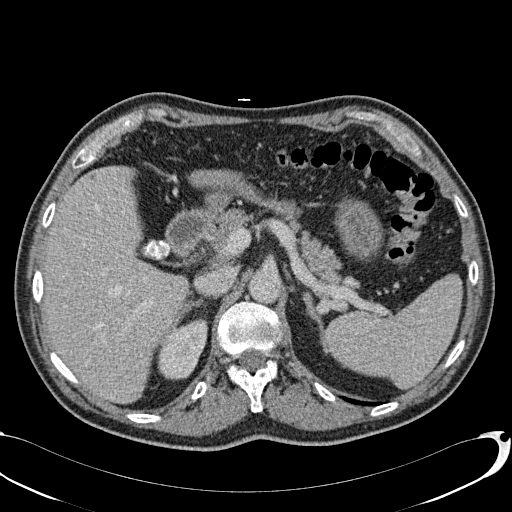
Axial slice 66 of 113 of a contrast-enhanced abdominal CT (slice 1 is the lowest), 120 kVp, kernel B31f; 2.00 mm slice thickness and 0.742 mm pixels.
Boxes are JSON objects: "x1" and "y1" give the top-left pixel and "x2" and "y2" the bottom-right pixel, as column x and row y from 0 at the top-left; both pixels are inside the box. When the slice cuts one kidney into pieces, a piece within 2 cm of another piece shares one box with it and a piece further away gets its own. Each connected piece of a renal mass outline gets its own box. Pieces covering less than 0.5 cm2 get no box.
Right kidney at {"x1": 157, "y1": 318, "x2": 207, "y2": 380} (outlined area 2,267 px, about 12.5 cm2). No renal mass is outlined on this slice.